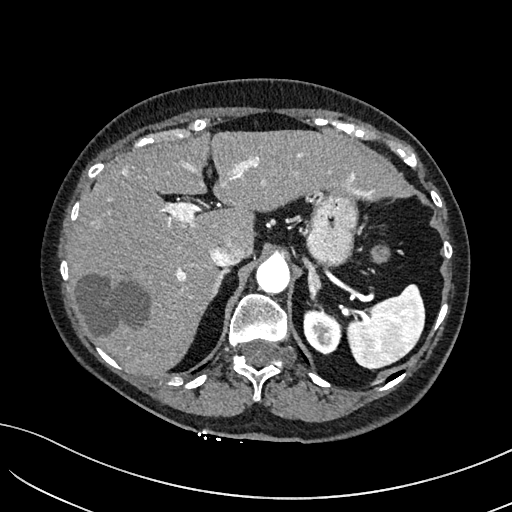
Axial slice 129 of 234 of a contrast-enhanced abdominal CT in the arterial phase (slice 1 is the lowest), 100 kVp, kernel I40f; 2.00 mm slice thickness and 0.699 mm pixels.
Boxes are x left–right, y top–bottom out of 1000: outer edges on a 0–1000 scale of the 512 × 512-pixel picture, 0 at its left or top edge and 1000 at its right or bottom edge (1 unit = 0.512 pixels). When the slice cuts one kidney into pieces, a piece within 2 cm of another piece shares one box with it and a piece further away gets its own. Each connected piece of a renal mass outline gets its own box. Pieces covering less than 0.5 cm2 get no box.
Left kidney at x 592–666, y 602–693 out of 1000 (outlined area 1,351 px, about 6.6 cm2). No renal mass outline on this slice.